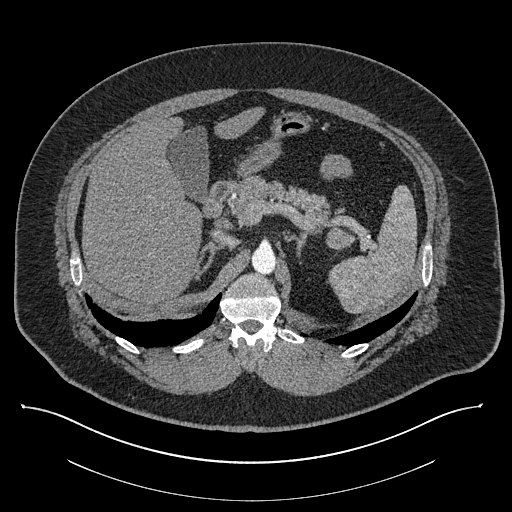
Abdominal CT with intravenous contrast, axial plane, 140 kVp, kernel I30f. Slice 581/787 from the bottom of the scan; thickness 1.00 mm; pixel size 0.910 mm.
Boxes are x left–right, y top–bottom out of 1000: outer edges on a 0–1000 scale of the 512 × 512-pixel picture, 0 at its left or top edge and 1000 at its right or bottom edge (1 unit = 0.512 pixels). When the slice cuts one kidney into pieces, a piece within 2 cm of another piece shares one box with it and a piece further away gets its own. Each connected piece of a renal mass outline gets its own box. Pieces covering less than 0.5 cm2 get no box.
Box x 637–691, y 443–488 out of 1000: left renal mass (outlined area 470 px, about 3.9 cm2); no kidney is outlined on this slice, but the same outlined renal mass comes within 1 cm of the kidney on another slice.